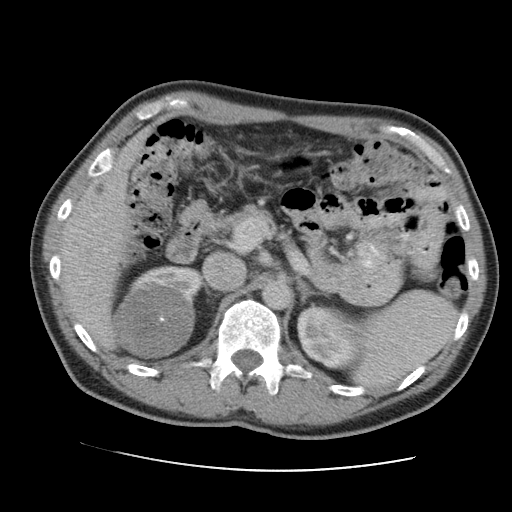
Axial slice 78 of 105 of a contrast-enhanced abdominal CT in the arterial phase (slice 1 is the lowest), 120 kVp, kernel STANDARD; 5.00 mm slice thickness and 0.707 mm pixels.
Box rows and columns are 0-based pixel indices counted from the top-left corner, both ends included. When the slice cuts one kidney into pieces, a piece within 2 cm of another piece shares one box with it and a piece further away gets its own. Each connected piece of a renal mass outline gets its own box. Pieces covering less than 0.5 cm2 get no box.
Two kidney boxes and one renal mass box on this slice; by box centre, from the image's left to its right: (1) Box rows 278–359, columns 114–194: right renal mass (outlined area 5,101 px, about 25.5 cm2). (2) Right kidney at rows 266–301, columns 130–202 (outlined area 1,125 px, about 5.6 cm2). (3) Box rows 302–370, columns 296–357: left kidney (outlined area 3,204 px, about 16.0 cm2).